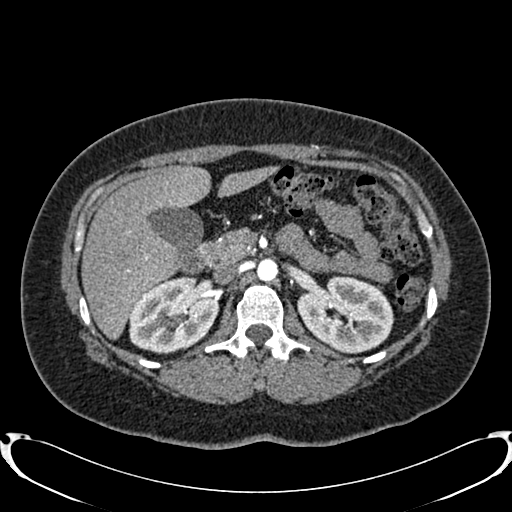
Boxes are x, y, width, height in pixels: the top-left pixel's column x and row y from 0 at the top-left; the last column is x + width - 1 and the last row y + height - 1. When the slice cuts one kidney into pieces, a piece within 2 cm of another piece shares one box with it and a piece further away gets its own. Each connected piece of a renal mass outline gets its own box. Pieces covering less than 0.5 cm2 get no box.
Arterial-phase contrast-enhanced abdominal CT, axial slice 507 of 719 (counted from the lowest slice); 1.00 mm thick, 0.766 mm per pixel. Two boxes on this slice (two kidney boxes), listed by box centre from the image's left to its right. (1) Right kidney at x 129, y 276, width 90, height 79 (outlined area 5,241 px, about 30.7 cm2). (2) Left kidney, box x 297, y 276, width 98, height 77 (outlined area 5,511 px, about 32.3 cm2). This slice carries no renal mass outline.
Acquired at 120 kVp and reconstructed with the B20f kernel.